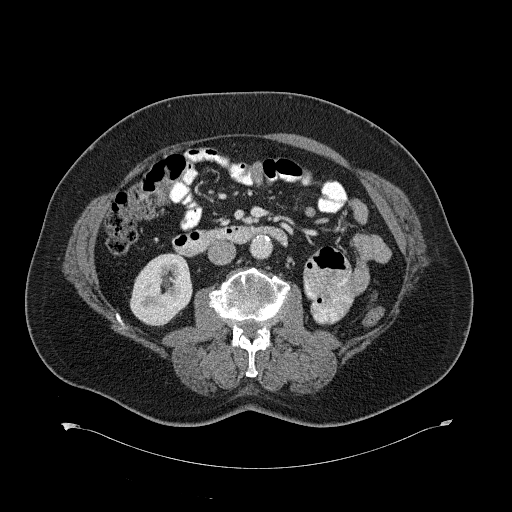
Contrast-enhanced abdominal CT, axial slice 338 of 734 (counted from the lowest slice); tube voltage 120 kVp, convolution kernel B31f; slices 2.00 mm thick, 0.971 mm per pixel.
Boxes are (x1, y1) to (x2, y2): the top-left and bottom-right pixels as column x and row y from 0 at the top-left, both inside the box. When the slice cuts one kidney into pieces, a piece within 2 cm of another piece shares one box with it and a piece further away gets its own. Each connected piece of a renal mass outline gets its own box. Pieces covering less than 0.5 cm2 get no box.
Box (129, 253) to (191, 326): right kidney (outlined area 3,409 px, about 32.1 cm2). This slice carries no renal mass outline.